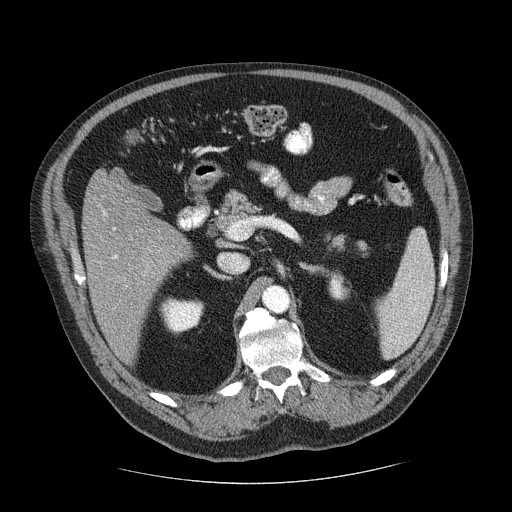
Axial slice 148 of 206 of a contrast-enhanced abdominal CT (slice 1 is the lowest), 120 kVp, kernel STANDARD; 2.50 mm slice thickness and 0.879 mm pixels.
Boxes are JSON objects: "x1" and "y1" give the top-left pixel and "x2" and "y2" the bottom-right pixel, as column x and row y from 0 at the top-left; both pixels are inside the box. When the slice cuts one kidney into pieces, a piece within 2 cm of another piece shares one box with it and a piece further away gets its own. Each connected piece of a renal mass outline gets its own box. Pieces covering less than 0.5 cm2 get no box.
Two kidney boxes on this slice; by box centre, from the image's left to its right: (1) Right kidney, box {"x1": 158, "y1": 296, "x2": 204, "y2": 332} (outlined area 1,289 px, about 10.0 cm2). (2) Left kidney, box {"x1": 328, "y1": 270, "x2": 350, "y2": 300} (outlined area 508 px, about 3.9 cm2). No renal mass outline on this slice.